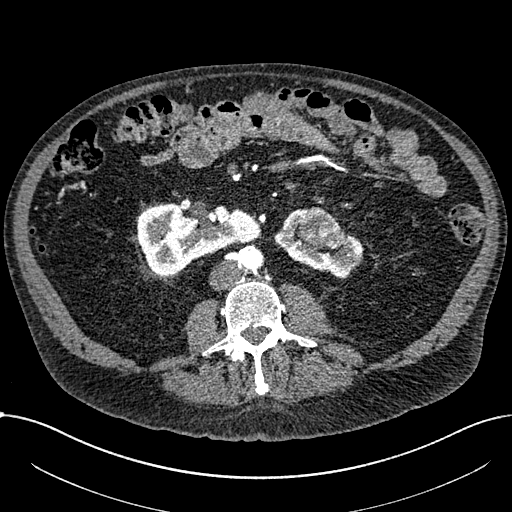
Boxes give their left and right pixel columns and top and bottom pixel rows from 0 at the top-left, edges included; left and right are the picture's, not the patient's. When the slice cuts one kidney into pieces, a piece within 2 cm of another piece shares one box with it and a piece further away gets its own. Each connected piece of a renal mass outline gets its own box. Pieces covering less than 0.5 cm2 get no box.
This is axial slice 321 of 1059 (slice 1 is the lowest) of an arterial-phase abdominal CT with contrast; each pixel is 0.811 mm and the slice is 1.00 mm thick. Three boxes on this slice (two kidney boxes and one renal mass box), listed by box centre from the image's left to its right. (1) Right part of the midline-crossing kidney in the box with left 137, top 202, right 259, bottom 274 (outlined area 6,097 px, about 40.1 cm2). (2) Left part of the midline-crossing kidney, the box with left 274, top 208, right 363, bottom 279 (outlined area 2,646 px, about 17.4 cm2). (3) Renal mass in the box with left 297, top 207, right 344, bottom 249 (outlined area 1,440 px, about 9.5 cm2).
Acquired at 100 kVp and reconstructed with the I30f kernel.